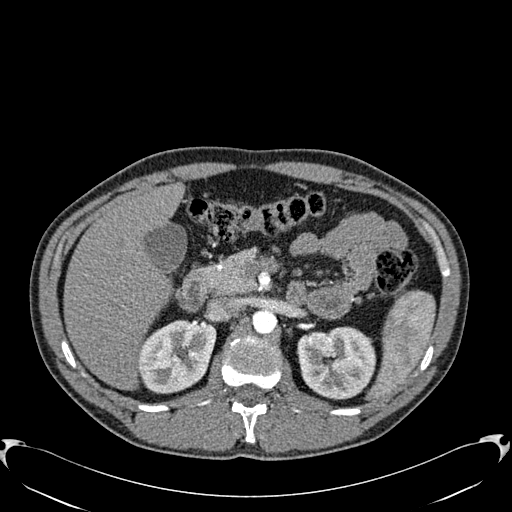
Axial slice 396 of 512 of a contrast-enhanced abdominal CT in the arterial phase (slice 1 is the lowest), 120 kVp, kernel B30f; 1.00 mm slice thickness and 0.771 mm pixels.
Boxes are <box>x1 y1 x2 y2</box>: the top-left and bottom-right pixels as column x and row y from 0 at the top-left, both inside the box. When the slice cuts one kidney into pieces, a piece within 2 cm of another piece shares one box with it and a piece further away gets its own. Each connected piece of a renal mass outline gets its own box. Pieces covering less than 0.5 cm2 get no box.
Two boxes on this slice (two kidney boxes), listed by box centre from the image's left to its right. (1) At <box>138 320 216 393</box>: right kidney (outlined area 4,468 px, about 26.6 cm2). (2) Left kidney at <box>297 326 375 399</box> (outlined area 4,653 px, about 27.7 cm2). No renal mass is outlined on this slice.